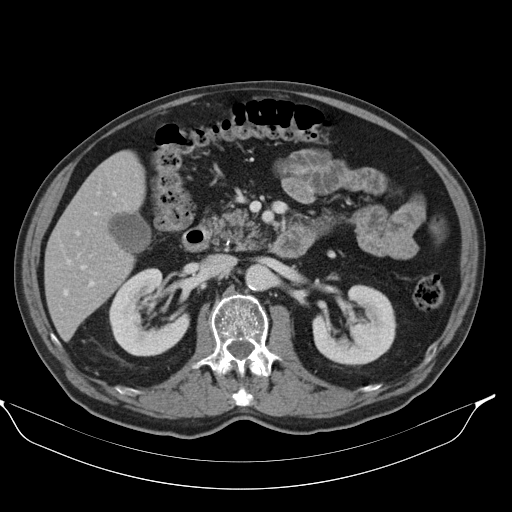
Abdominal CT with intravenous contrast, axial plane, 130 kVp, kernel B30s. Slice 59/98 from the bottom of the scan; thickness 5.00 mm; pixel size 0.840 mm.
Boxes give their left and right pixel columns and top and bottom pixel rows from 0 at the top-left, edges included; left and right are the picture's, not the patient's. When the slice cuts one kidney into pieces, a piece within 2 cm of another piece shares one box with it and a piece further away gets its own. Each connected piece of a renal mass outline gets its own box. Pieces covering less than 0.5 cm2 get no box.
Boxed on this slice (two kidney boxes), listed by box centre from the image's left to its right: (1) Box with left 109, top 268, right 189, bottom 355: right kidney (outlined area 4,800 px, about 33.9 cm2). (2) Left kidney in the box with left 312, top 284, right 396, bottom 365 (outlined area 4,769 px, about 33.6 cm2). This slice carries no renal mass outline.